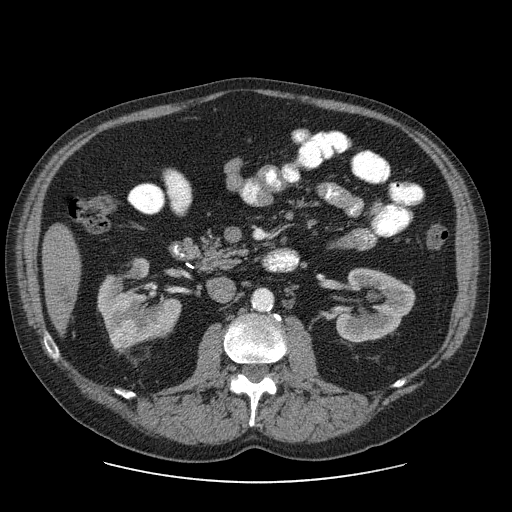
Axial slice 36 of 103 of a contrast-enhanced abdominal CT (slice 1 is the lowest), 120 kVp, kernel STANDARD; 2.50 mm slice thickness and 0.820 mm pixels.
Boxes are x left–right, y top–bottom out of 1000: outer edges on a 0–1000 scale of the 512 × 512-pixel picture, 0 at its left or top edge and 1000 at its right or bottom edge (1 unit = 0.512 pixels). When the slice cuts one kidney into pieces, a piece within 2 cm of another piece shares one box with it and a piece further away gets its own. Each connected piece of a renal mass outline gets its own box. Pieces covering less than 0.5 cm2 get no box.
Three boxes on this slice (two kidney boxes and one renal mass box), listed by box centre from the image's left to its right. (1) Right renal mass, box x 209–270, y 627–688 out of 1000 (outlined area 680 px, about 4.6 cm2). (2) Right kidney, box x 189–355, y 504–674 out of 1000 (outlined area 4,093 px, about 27.5 cm2). (3) Box x 654–813, y 523–670 out of 1000: left kidney (outlined area 3,988 px, about 26.8 cm2).